Arterial-phase contrast-enhanced abdominal CT, axial slice 92 of 164 (counted from the lowest slice); tube voltage 130 kVp, convolution kernel B30s; slices 3.00 mm thick, 0.664 mm per pixel.
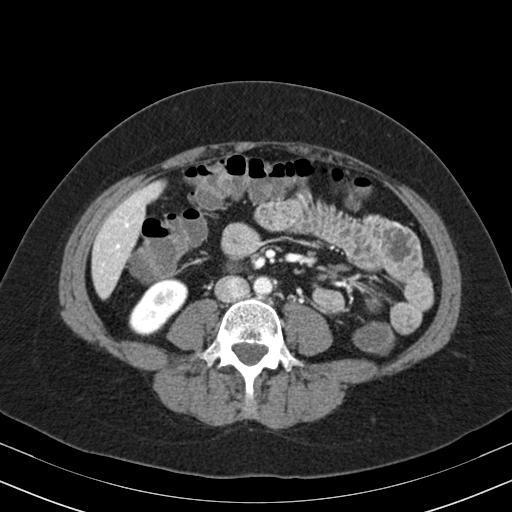
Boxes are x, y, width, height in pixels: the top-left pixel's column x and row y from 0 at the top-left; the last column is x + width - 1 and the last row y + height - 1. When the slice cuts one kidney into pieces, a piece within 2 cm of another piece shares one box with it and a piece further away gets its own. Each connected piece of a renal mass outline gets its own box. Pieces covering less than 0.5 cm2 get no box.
Right kidney at x 128, y 279, width 61, height 58 (outlined area 2,214 px, about 9.8 cm2). This slice carries no renal mass outline.